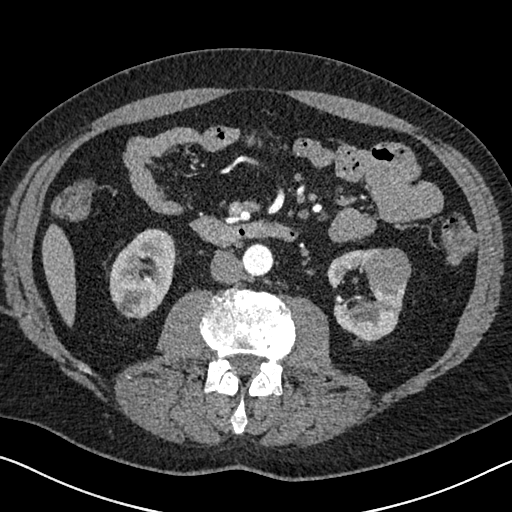
Abdominal CT with intravenous contrast, arterial phase, axial plane, 120 kVp, kernel I30f. Slice 332/626 from the bottom of the scan; thickness 1.00 mm; pixel size 0.703 mm.
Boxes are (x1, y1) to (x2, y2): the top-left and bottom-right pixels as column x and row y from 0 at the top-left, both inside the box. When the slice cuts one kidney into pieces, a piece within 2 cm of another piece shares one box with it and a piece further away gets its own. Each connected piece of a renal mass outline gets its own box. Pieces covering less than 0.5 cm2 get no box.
Three boxes on this slice (two kidney boxes and one renal mass box), listed by box centre from the image's left to its right. (1) Right kidney, box (109, 228) to (176, 319) (outlined area 4,480 px, about 22.1 cm2). (2) Left kidney, box (326, 248) to (406, 341) (outlined area 3,677 px, about 18.2 cm2). (3) Left renal mass, box (363, 248) to (411, 293) (outlined area 1,681 px, about 8.3 cm2).